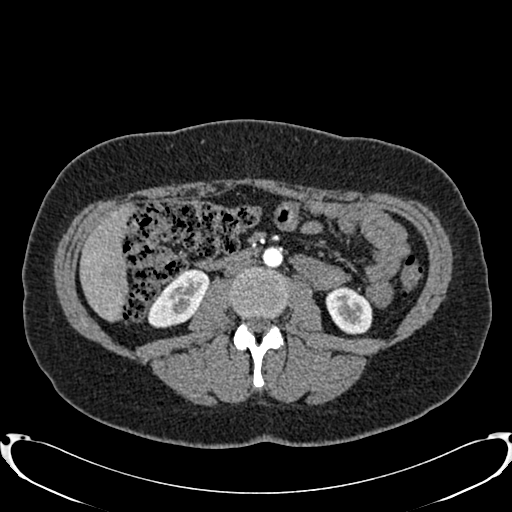
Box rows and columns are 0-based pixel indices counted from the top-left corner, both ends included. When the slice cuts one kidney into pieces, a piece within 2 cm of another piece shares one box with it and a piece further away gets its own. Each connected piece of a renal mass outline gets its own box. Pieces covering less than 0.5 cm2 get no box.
Arterial-phase contrast-enhanced abdominal CT, axial slice 397 of 719 (counted from the lowest slice); 1.00 mm thick, 0.766 mm per pixel. Two kidney boxes on this slice; by box centre, from the image's left to its right: (1) Box rows 268–328, columns 147–208: right kidney (outlined area 2,275 px, about 13.3 cm2). (2) Left kidney, box rows 286–333, columns 325–372 (outlined area 1,722 px, about 10.1 cm2). No renal mass is outlined on this slice.
Tube voltage 120 kVp; convolution kernel B20f.